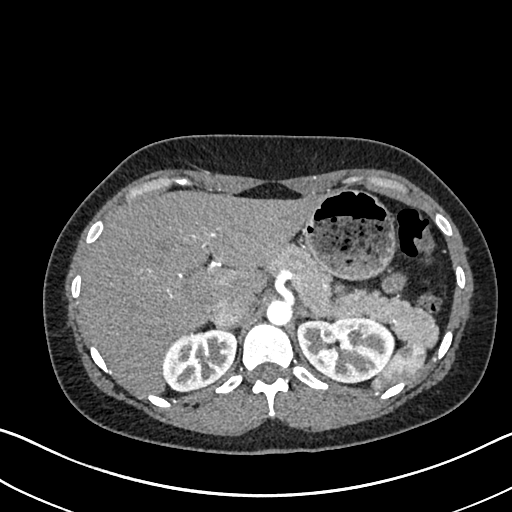
Arterial-phase contrast-enhanced abdominal CT, axial slice 508 of 612 (counted from the lowest slice); tube voltage 120 kVp, convolution kernel I30f; slices 1.00 mm thick, 0.703 mm per pixel.
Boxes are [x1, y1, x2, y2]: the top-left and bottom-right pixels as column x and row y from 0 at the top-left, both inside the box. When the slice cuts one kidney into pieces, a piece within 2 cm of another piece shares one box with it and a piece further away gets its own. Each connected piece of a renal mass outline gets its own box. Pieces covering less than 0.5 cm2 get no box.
Boxed on this slice (two kidney boxes), listed by box centre from the image's left to its right: (1) Right kidney, box [162, 329, 236, 390] (outlined area 3,546 px, about 17.5 cm2). (2) Box [297, 317, 395, 382]: left kidney (outlined area 5,030 px, about 24.9 cm2). This slice carries no renal mass outline.